Abdominal CT with intravenous contrast, arterial phase, axial plane, 100 kVp, kernel I26f. Slice 436/665 from the bottom of the scan; thickness 1.00 mm; pixel size 0.828 mm.
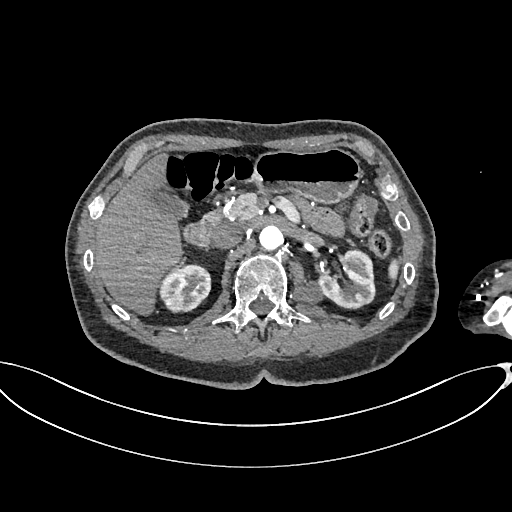
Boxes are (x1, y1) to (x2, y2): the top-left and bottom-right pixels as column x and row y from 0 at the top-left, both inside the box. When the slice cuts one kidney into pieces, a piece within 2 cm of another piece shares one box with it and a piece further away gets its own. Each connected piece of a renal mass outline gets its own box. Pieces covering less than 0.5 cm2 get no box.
Three boxes on this slice (two kidney boxes and one renal mass box), listed by box centre from the image's left to its right. (1) Right kidney from (159, 263) to (211, 313) (outlined area 2,003 px, about 13.7 cm2). (2) Left renal mass from (292, 281) to (323, 304) (outlined area 571 px, about 3.9 cm2). (3) Left kidney from (317, 250) to (374, 308) (outlined area 2,316 px, about 15.9 cm2).